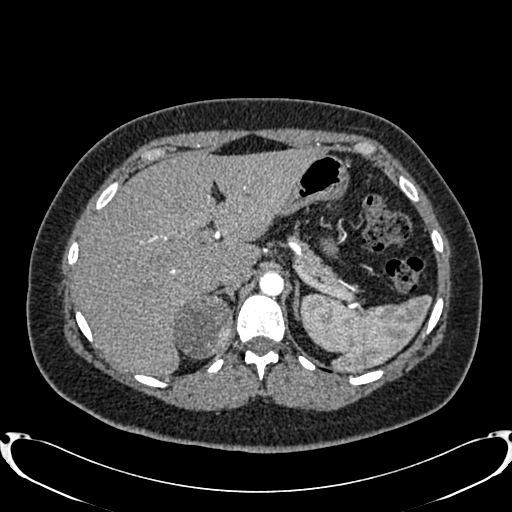
One axial slice (609 of 719, counting up from the lowest) of an arterial-phase abdominal CT acquired with 120 kVp, kernel B20f; each pixel is 0.766 mm and the slice is 1.00 mm thick.
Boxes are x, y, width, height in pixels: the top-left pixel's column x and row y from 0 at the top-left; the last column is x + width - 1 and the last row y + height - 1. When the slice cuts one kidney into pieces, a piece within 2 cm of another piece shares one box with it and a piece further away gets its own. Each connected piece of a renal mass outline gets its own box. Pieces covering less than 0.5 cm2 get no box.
Right renal mass, box x 172, y 294, width 61, height 66 (outlined area 3,109 px, about 18.2 cm2); this slice has no kidney outline, though on another slice the same outlined renal mass lies within 1 cm of the kidney.